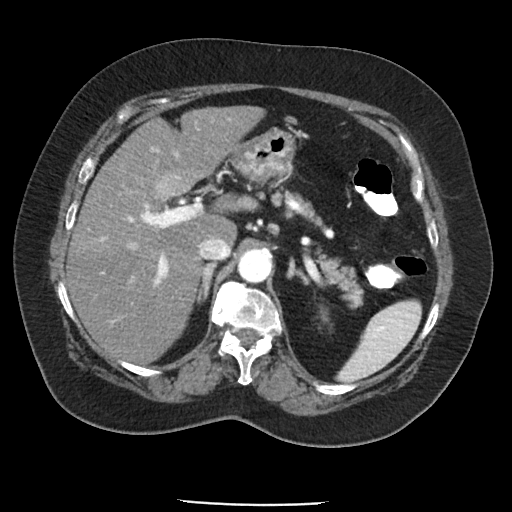
Axial slice 69 of 85 of a contrast-enhanced abdominal CT in the arterial phase (slice 1 is the lowest), 120 kVp, kernel FC19; 5.00 mm slice thickness and 0.741 mm pixels.
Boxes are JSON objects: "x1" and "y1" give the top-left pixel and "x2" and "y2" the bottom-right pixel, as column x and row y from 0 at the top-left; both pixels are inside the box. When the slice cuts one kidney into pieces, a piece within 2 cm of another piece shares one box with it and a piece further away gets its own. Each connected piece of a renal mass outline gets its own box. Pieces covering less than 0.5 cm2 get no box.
Left kidney at {"x1": 318, "y1": 304, "x2": 332, "y2": 329} (outlined area 175 px, about 1.0 cm2). This slice carries no renal mass outline.